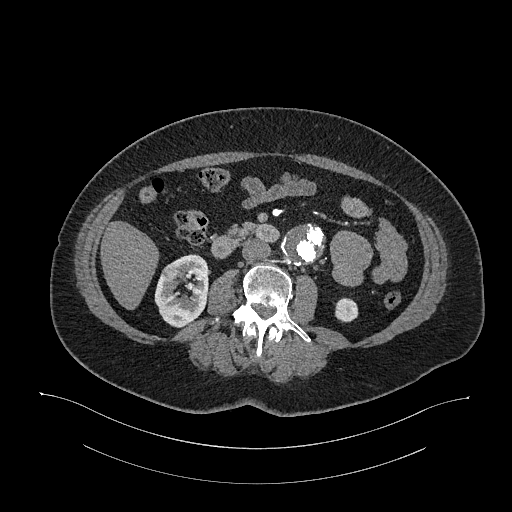
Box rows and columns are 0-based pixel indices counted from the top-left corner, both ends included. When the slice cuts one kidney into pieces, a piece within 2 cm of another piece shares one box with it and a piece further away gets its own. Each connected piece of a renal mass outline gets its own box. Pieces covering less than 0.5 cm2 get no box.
Slice 585/987 of a contrast-enhanced abdominal CT in the arterial phase, counting up from the lowest; pixel size 0.977 mm, slice thickness 1.00 mm. Two kidney boxes and one renal mass box on this slice; by box centre, from the image's left to its right: (1) Right renal mass at rows 263–277, columns 161–178 (outlined area 177 px, about 1.7 cm2). (2) Right kidney at rows 254–327, columns 154–210 (outlined area 2,842 px, about 27.1 cm2). (3) Left kidney at rows 297–322, columns 335–358 (outlined area 482 px, about 4.6 cm2).
Tube voltage 120 kVp; convolution kernel I26f.